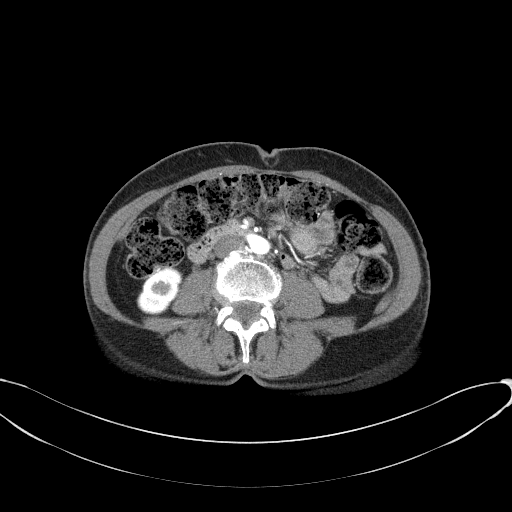
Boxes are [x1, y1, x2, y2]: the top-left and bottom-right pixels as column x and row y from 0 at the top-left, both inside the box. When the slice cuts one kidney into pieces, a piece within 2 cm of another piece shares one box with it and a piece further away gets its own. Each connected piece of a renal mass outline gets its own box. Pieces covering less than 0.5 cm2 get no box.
Slice 16/77 of a contrast-enhanced abdominal CT in the arterial phase, counting up from the lowest; pixel size 0.809 mm, slice thickness 3.00 mm. Right kidney at [136, 267, 182, 315] (outlined area 1,533 px, about 10.0 cm2). No renal mass outline on this slice.
Scan settings: 100 kVp, B41f reconstruction kernel.